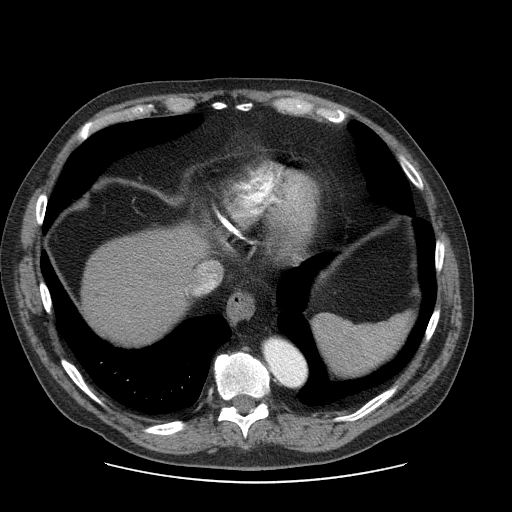
Slice 88/103 of a contrast-enhanced abdominal CT, counting up from the lowest; pixel size 0.820 mm, slice thickness 2.50 mm. No kidney and no renal mass is outlined on this slice; the outlines in this scan cover only the kidneys and the renal masses, so nothing is said about any other organ.
Scan settings: 120 kVp, STANDARD reconstruction kernel.